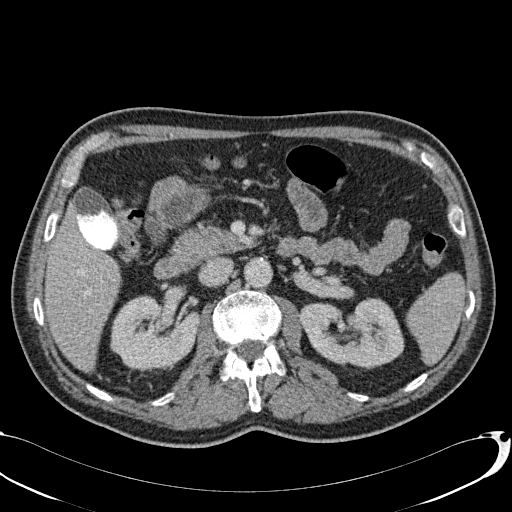
One axial slice (48 of 113, counting up from the lowest) of a contrast-enhanced abdominal CT acquired with 120 kVp, kernel B31f; each pixel is 0.742 mm and the slice is 2.00 mm thick.
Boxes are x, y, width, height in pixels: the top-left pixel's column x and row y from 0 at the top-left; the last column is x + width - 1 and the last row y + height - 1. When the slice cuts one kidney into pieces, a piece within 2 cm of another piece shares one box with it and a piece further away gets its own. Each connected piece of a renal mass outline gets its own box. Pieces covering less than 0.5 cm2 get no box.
Boxed on this slice (two kidney boxes), listed by box centre from the image's left to its right: (1) Right kidney, box x 110, y 295, width 89, height 77 (outlined area 5,214 px, about 28.7 cm2). (2) Left kidney, box x 299, y 296, width 106, height 74 (outlined area 5,491 px, about 30.2 cm2). This slice carries no renal mass outline.